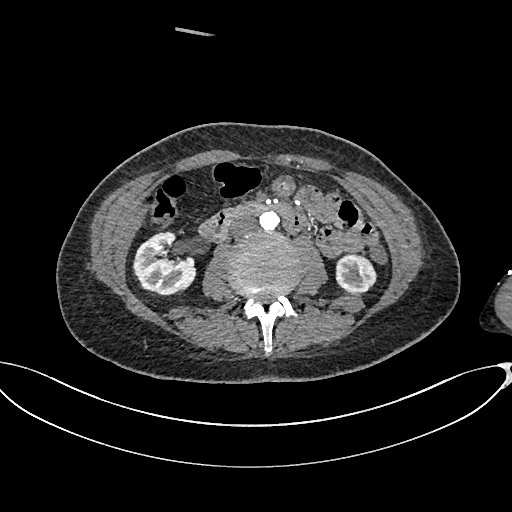
Abdominal CT with intravenous contrast, arterial phase, axial plane, 100 kVp, kernel I26f. Slice 334/665 from the bottom of the scan; thickness 1.00 mm; pixel size 0.828 mm.
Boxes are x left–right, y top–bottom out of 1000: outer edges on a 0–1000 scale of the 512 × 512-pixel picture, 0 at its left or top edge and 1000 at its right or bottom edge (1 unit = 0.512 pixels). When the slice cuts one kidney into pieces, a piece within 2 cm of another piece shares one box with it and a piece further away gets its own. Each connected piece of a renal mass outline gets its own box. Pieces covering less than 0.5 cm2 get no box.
Boxed on this slice (two kidney boxes), listed by box centre from the image's left to its right: (1) Box x 258–383, y 451–578 out of 1000: right kidney (outlined area 3,017 px, about 20.7 cm2). (2) Left kidney at x 654–738, y 496–574 out of 1000 (outlined area 1,298 px, about 8.9 cm2). No renal mass outline on this slice.